Abdominal CT with intravenous contrast, arterial phase, axial plane, 120 kVp, kernel I26f. Slice 615/987 from the bottom of the scan; thickness 1.00 mm; pixel size 0.977 mm.
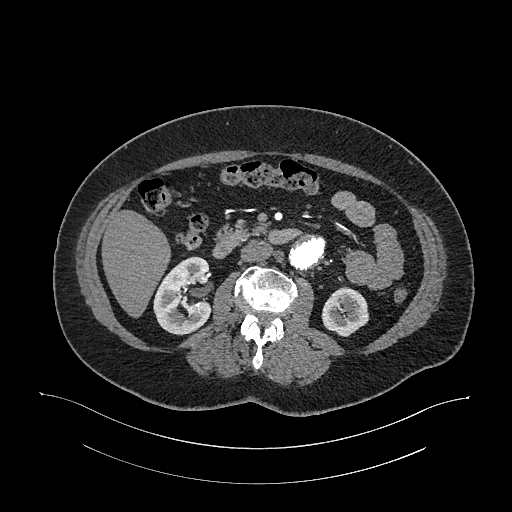
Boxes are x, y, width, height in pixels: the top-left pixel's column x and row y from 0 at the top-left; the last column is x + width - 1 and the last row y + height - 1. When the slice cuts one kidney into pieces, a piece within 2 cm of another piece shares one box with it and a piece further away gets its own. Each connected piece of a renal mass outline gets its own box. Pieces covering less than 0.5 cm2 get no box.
Two kidney boxes on this slice; by box centre, from the image's left to its right: (1) Right kidney at x 153, y 256, width 59, height 80 (outlined area 3,432 px, about 32.7 cm2). (2) Box x 321, y 286, width 49, height 51: left kidney (outlined area 1,776 px, about 16.9 cm2). No renal mass is outlined on this slice.